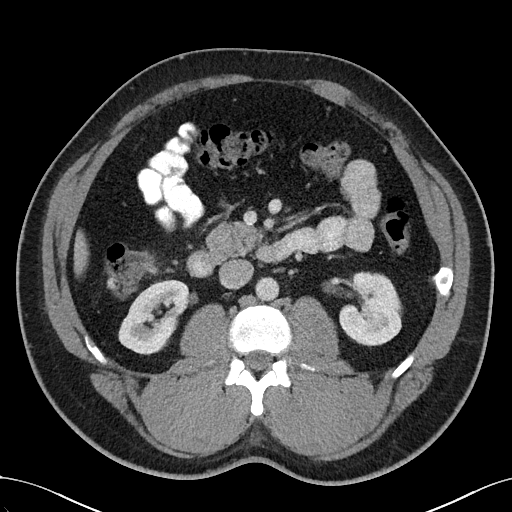
Abdominal CT with intravenous contrast, arterial phase, axial plane, 100 kVp, kernel I40f. Slice 65/102 from the bottom of the scan; thickness 5.00 mm; pixel size 0.781 mm.
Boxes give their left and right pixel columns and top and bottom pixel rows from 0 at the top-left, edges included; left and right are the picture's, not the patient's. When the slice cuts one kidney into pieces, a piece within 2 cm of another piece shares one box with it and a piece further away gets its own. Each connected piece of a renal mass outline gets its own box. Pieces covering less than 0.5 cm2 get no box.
Two kidney boxes on this slice; by box centre, from the image's left to its right: (1) Box with left 118, top 279, right 189, bottom 354: right kidney (outlined area 3,553 px, about 21.7 cm2). (2) Box with left 339, top 271, right 402, bottom 346: left kidney (outlined area 3,606 px, about 22.0 cm2). This slice carries no renal mass outline.